One axial slice (15 of 61, counting up from the lowest) of an arterial-phase abdominal CT acquired with 140 kVp, kernel I41f; each pixel is 0.947 mm and the slice is 3.00 mm thick.
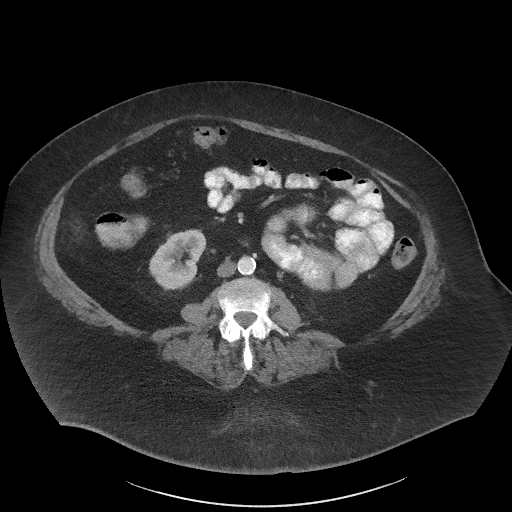
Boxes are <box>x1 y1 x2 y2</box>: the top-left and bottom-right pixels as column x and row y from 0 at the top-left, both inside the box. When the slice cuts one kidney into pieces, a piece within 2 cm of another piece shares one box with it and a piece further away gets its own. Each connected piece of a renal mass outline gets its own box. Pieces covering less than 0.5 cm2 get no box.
At <box>149 229 206 291</box>: right kidney (outlined area 2,551 px, about 22.9 cm2). This slice carries no renal mass outline.